Abdominal CT with intravenous contrast, arterial phase, axial plane, 120 kVp, kernel I30f. Slice 65/261 from the bottom of the scan; thickness 2.00 mm; pixel size 0.939 mm.
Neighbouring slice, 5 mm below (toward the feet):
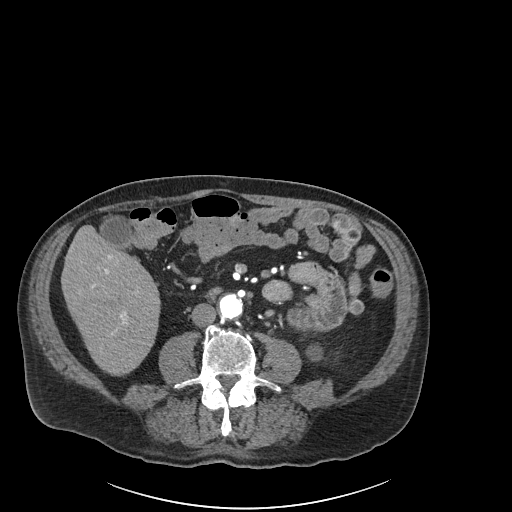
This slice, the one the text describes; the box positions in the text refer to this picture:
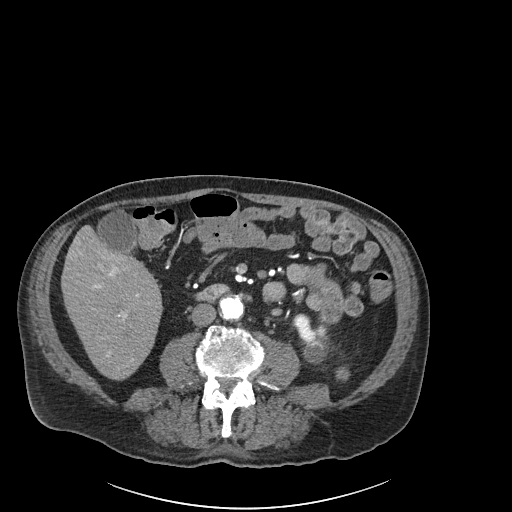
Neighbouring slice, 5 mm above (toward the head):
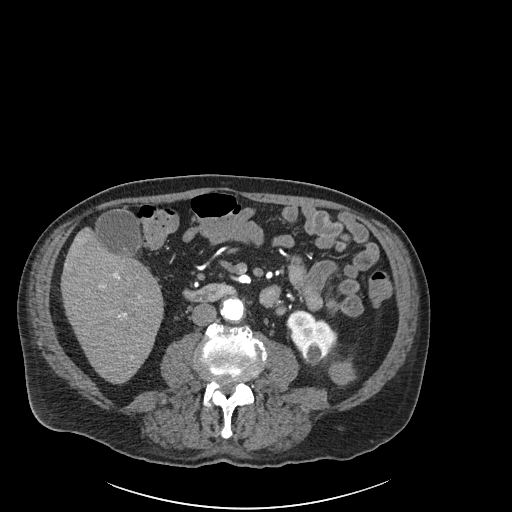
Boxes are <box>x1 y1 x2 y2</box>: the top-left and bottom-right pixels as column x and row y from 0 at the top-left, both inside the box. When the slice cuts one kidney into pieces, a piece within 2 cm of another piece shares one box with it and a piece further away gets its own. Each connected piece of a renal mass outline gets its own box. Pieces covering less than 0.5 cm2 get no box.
Boxed on this slice (one kidney box and one renal mass box), listed by box centre from the image's left to its right: (1) Left kidney at <box>293 313 329 364</box> (outlined area 1,109 px, about 9.8 cm2). (2) Left renal mass at <box>335 366 349 381</box> (outlined area 181 px, about 1.6 cm2); it sits over 1 cm from every kidney outline on this slice, but the same outlined renal mass comes within 1 cm of the kidney on another slice. This slice is near the end of the left renal mass toward the feet, so the slices 5 mm below and 5 mm above it are shown as well; the boxes refer to this slice only.